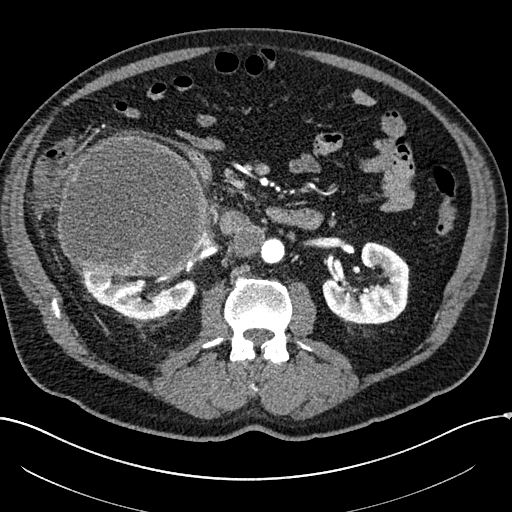
Abdominal CT with intravenous contrast, arterial phase, axial plane, 100 kVp, kernel I30f. Slice 109/304 from the bottom of the scan; thickness 2.00 mm; pixel size 0.809 mm.
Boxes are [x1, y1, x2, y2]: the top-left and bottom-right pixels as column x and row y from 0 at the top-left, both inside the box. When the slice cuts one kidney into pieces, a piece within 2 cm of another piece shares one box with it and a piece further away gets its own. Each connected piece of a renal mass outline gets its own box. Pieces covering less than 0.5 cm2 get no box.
Two kidney boxes and one renal mass box on this slice; by box centre, from the image's left to its right: (1) Right renal mass, box [56, 134, 207, 275] (outlined area 17,335 px, about 113.3 cm2). (2) Right kidney at [73, 264, 197, 319] (outlined area 3,983 px, about 26.0 cm2). (3) Left kidney at [322, 242, 409, 324] (outlined area 4,775 px, about 31.2 cm2).